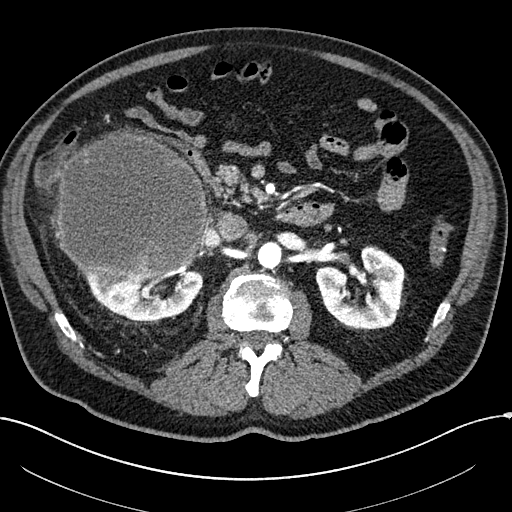
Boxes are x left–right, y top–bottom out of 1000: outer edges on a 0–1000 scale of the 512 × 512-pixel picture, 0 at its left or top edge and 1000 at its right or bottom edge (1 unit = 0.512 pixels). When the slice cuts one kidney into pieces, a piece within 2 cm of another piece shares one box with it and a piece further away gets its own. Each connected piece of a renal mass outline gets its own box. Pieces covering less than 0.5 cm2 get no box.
Slice 121/304 of a contrast-enhanced abdominal CT in the arterial phase, counting up from the lowest; pixel size 0.809 mm, slice thickness 2.00 mm. Three boxes on this slice (two kidney boxes and one renal mass box), listed by box centre from the image's left to its right. (1) Box x 109–406, y 252–551 out of 1000: right renal mass (outlined area 18,563 px, about 121.4 cm2). (2) Right kidney at x 158–396, y 527–627 out of 1000 (outlined area 3,831 px, about 25.0 cm2). (3) Box x 615–791, y 477–645 out of 1000: left kidney (outlined area 5,262 px, about 34.4 cm2).
Acquired at 100 kVp and reconstructed with the I30f kernel.